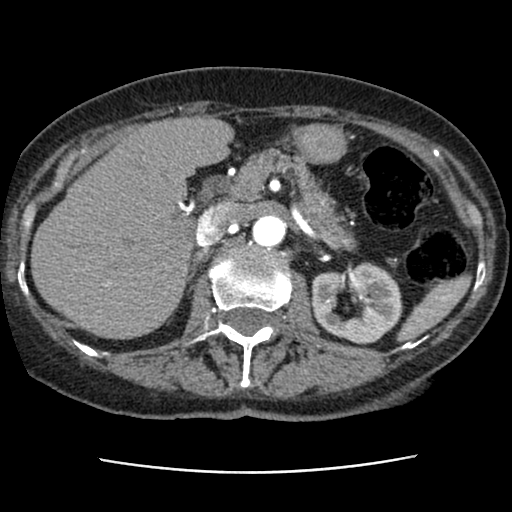
Contrast-enhanced abdominal CT, axial slice 55 of 76 (counted from the lowest slice); tube voltage 120 kVp, convolution kernel STANDARD; slices 2.50 mm thick, 0.586 mm per pixel.
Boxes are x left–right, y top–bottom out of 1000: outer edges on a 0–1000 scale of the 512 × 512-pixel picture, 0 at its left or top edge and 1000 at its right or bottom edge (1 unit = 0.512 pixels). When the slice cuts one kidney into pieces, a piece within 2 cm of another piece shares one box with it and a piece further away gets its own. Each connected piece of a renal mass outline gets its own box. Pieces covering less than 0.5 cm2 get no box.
Box x 605–787, y 510–674 out of 1000: left kidney (outlined area 5,399 px, about 18.5 cm2). No renal mass is outlined on this slice.